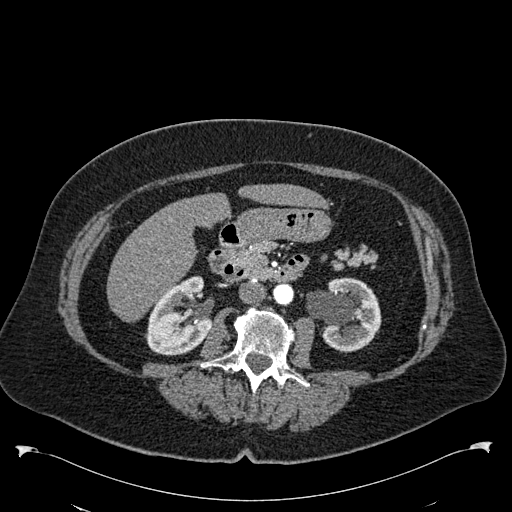
Abdominal CT with intravenous contrast, arterial phase, axial plane, 120 kVp, kernel B30f. Slice 300/538 from the bottom of the scan; thickness 1.00 mm; pixel size 0.811 mm.
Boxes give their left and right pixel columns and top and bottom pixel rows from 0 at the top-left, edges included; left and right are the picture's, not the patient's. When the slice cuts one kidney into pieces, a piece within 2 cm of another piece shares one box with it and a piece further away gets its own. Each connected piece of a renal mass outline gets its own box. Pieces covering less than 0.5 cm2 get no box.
Boxed on this slice (two kidney boxes), listed by box centre from the image's left to its right: (1) Right kidney, the box with left 145, top 275, right 212, bottom 355 (outlined area 3,769 px, about 24.8 cm2). (2) Left kidney, the box with left 306, top 277, right 380, bottom 352 (outlined area 4,018 px, about 26.4 cm2). No renal mass is outlined on this slice.